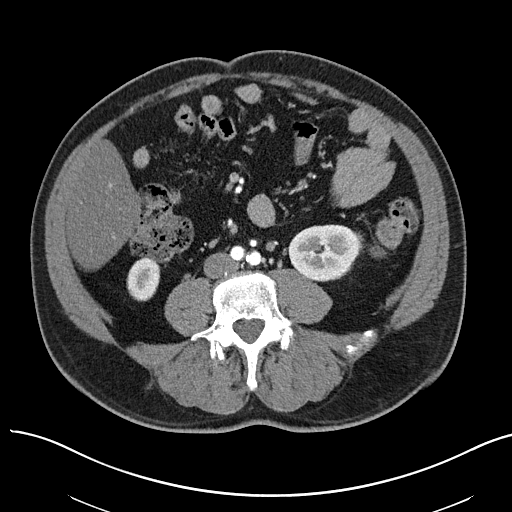
Abdominal CT with intravenous contrast, arterial phase, axial plane, 100 kVp, kernel I40f. Slice 13/97 from the bottom of the scan; thickness 3.00 mm; pixel size 0.797 mm.
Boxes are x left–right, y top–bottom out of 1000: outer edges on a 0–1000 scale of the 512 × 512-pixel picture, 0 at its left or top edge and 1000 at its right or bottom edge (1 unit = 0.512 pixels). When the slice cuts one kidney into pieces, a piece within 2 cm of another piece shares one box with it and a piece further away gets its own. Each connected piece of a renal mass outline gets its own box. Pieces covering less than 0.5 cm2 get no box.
Two boxes on this slice (two kidney boxes), listed by box centre from the image's left to its right. (1) Right kidney, box x 246–314, y 504–590 out of 1000 (outlined area 1,157 px, about 7.3 cm2). (2) Box x 563–711, y 438–551 out of 1000: left kidney (outlined area 3,353 px, about 21.3 cm2). No renal mass outline on this slice.